One axial slice (479 of 612, counting up from the lowest) of an arterial-phase abdominal CT acquired with 120 kVp, kernel I30f; each pixel is 0.703 mm and the slice is 1.00 mm thick.
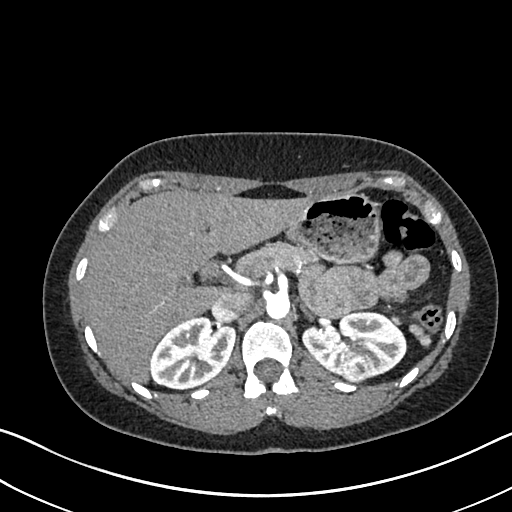
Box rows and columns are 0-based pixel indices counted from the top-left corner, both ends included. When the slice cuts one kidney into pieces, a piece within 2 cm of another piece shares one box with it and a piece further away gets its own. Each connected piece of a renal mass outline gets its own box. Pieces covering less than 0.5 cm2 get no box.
Two kidney boxes and one renal mass box on this slice; by box centre, from the image's left to its right: (1) Right kidney, box rows 315–389, columns 150–234 (outlined area 4,621 px, about 22.8 cm2). (2) Left kidney, box rows 311–379, columns 302–406 (outlined area 4,685 px, about 23.2 cm2). (3) Box rows 354–381, columns 341–367: left renal mass (outlined area 655 px, about 3.2 cm2).